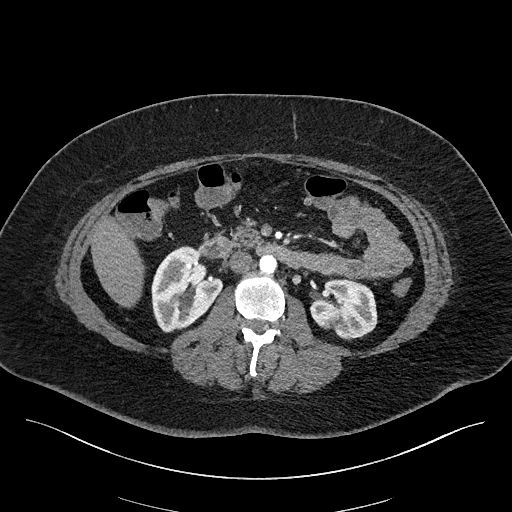
Arterial-phase contrast-enhanced abdominal CT, axial slice 98 of 270 (counted from the lowest slice); tube voltage 100 kVp, convolution kernel I40f; slices 2.00 mm thick, 0.855 mm per pixel.
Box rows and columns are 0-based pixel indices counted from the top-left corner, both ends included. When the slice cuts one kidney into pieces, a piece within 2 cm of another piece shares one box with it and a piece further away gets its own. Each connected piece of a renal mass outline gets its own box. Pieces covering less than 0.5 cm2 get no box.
Two kidney boxes on this slice; by box centre, from the image's left to its right: (1) Box rows 246–332, columns 151–223: right kidney (outlined area 4,269 px, about 31.2 cm2). (2) Left kidney at rows 279–340, columns 310–377 (outlined area 3,132 px, about 22.9 cm2). This slice carries no renal mass outline.